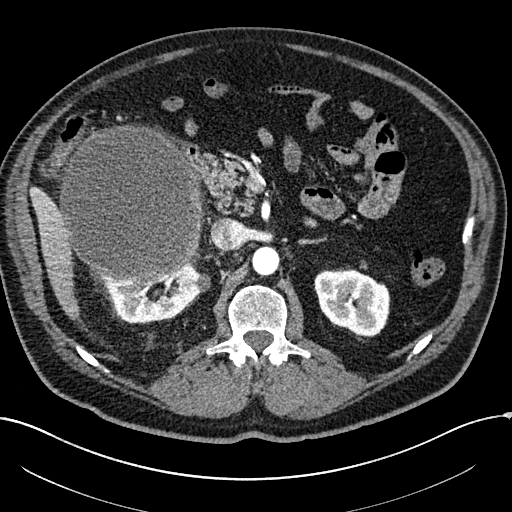
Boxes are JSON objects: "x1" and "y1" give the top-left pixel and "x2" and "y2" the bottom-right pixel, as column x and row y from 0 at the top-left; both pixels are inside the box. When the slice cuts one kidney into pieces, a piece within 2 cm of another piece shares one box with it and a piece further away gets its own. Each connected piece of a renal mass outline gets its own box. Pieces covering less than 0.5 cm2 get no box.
This is axial slice 140 of 304 (slice 1 is the lowest) of an arterial-phase abdominal CT with contrast; each pixel is 0.809 mm and the slice is 2.00 mm thick. Boxed on this slice (two kidney boxes and one renal mass box), listed by box centre from the image's left to its right: (1) Right renal mass, box {"x1": 59, "y1": 124, "x2": 204, "y2": 281} (outlined area 18,414 px, about 120.4 cm2). (2) Right kidney, box {"x1": 102, "y1": 259, "x2": 210, "y2": 323} (outlined area 3,694 px, about 24.2 cm2). (3) Left kidney, box {"x1": 314, "y1": 270, "x2": 390, "y2": 336} (outlined area 3,930 px, about 25.7 cm2).
Scan settings: 100 kVp, I30f reconstruction kernel.